One axial slice (25 of 86, counting up from the lowest) of a contrast-enhanced abdominal CT acquired with 140 kVp, kernel I44f; each pixel is 0.977 mm and the slice is 3.00 mm thick.
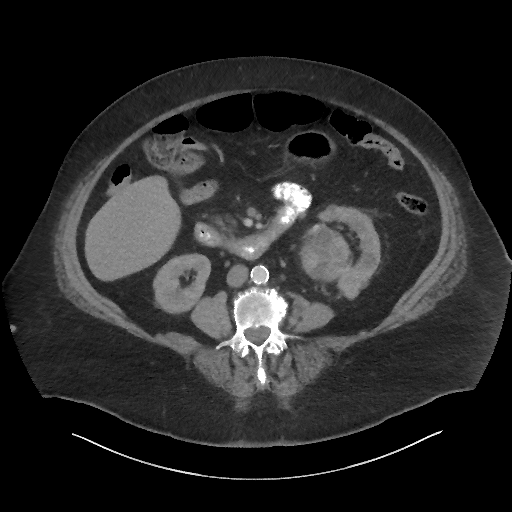
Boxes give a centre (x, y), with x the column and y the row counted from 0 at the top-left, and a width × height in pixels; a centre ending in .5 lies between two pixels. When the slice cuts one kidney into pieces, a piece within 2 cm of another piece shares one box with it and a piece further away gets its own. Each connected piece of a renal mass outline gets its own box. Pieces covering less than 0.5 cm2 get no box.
Boxed on this slice (two kidney boxes and one renal mass box), listed by box centre from the image's left to its right: (1) Right kidney, box centre (181.5, 283), 58 × 61 pixels (outlined area 2,557 px, about 24.4 cm2). (2) Left renal mass in a box with centre (325.5, 253), 54 × 63 pixels (outlined area 2,416 px, about 23.0 cm2). (3) Box centre (348, 251.5), 65 × 96 pixels: left kidney (outlined area 2,819 px, about 26.9 cm2).